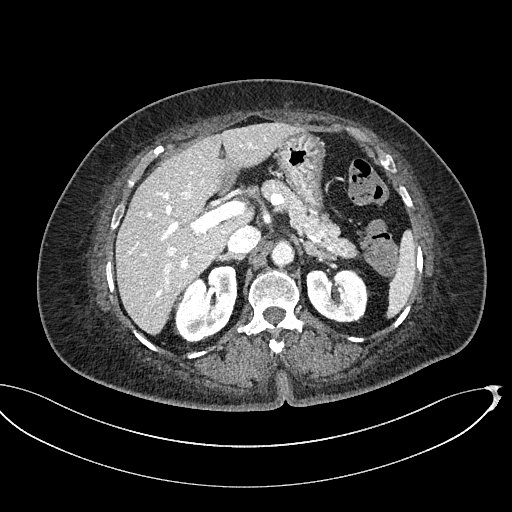
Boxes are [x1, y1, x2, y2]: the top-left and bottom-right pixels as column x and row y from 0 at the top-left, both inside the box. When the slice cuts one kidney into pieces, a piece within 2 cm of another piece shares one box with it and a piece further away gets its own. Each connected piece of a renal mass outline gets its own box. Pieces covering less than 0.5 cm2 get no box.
This is axial slice 335 of 439 (slice 1 is the lowest) of an abdominal CT with contrast; each pixel is 0.850 mm and the slice is 2.00 mm thick. Two boxes on this slice (two kidney boxes), listed by box centre from the image's left to its right. (1) Box [174, 265, 237, 343]: right kidney (outlined area 3,514 px, about 25.4 cm2). (2) Left kidney at [306, 268, 369, 322] (outlined area 2,811 px, about 20.3 cm2). No renal mass outline on this slice.
Scan settings: 100 kVp, I40f reconstruction kernel.